Abdominal CT with intravenous contrast, arterial phase, axial plane, 120 kVp, kernel FC18. Slice 128/207 from the bottom of the scan; thickness 2.00 mm; pixel size 0.741 mm.
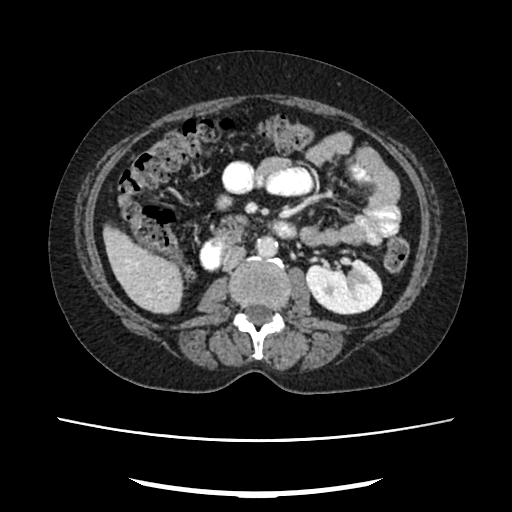
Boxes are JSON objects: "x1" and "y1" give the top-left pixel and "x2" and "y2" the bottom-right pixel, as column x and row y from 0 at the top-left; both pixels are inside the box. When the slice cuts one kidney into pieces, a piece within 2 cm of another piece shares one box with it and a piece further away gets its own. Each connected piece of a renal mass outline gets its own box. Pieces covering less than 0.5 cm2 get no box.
Left kidney, box {"x1": 305, "y1": 258, "x2": 382, "y2": 314} (outlined area 3,394 px, about 18.6 cm2). No renal mass outline on this slice.